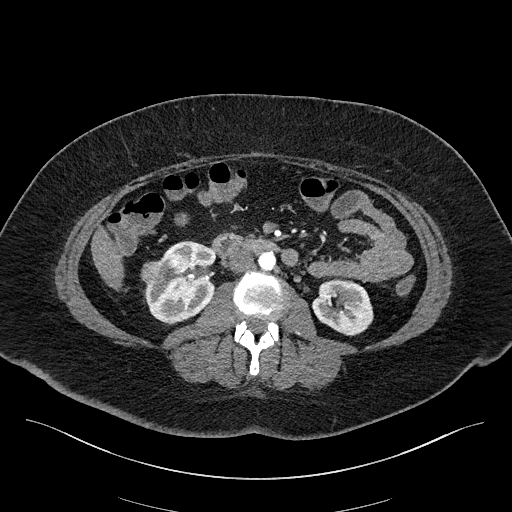
Abdominal CT with intravenous contrast, arterial phase, axial plane, 100 kVp, kernel I40f. Slice 87/270 from the bottom of the scan; thickness 2.00 mm; pixel size 0.855 mm.
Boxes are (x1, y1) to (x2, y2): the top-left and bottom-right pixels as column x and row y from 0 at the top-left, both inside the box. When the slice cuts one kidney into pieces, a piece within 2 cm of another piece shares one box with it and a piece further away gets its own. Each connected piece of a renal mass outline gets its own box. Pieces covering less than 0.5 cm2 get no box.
Two kidney boxes and one renal mass box on this slice; by box centre, from the image's left to its right: (1) Right renal mass from (141, 261) to (164, 284) (outlined area 470 px, about 3.4 cm2). (2) Right kidney, box (145, 240) to (216, 324) (outlined area 4,228 px, about 30.9 cm2). (3) Left kidney, box (312, 278) to (373, 335) (outlined area 2,622 px, about 19.2 cm2).